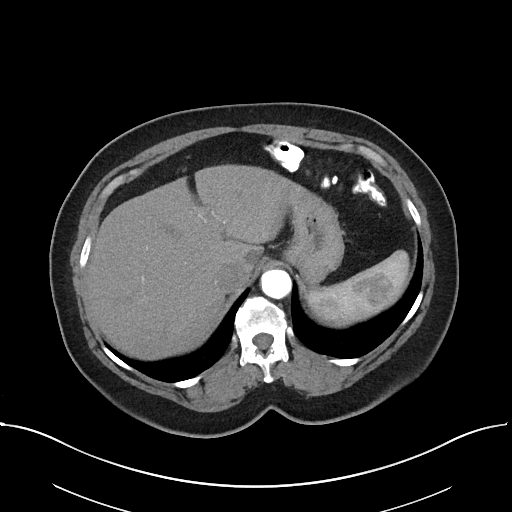
Arterial-phase contrast-enhanced abdominal CT, axial slice 34 of 38 (counted from the lowest slice); tube voltage 100 kVp, convolution kernel I40f; slices 5.00 mm thick, 0.822 mm per pixel.
No kidney and no renal mass is outlined on this slice; the outlines in this scan cover only the kidneys and the renal masses, so nothing is said about any other organ.